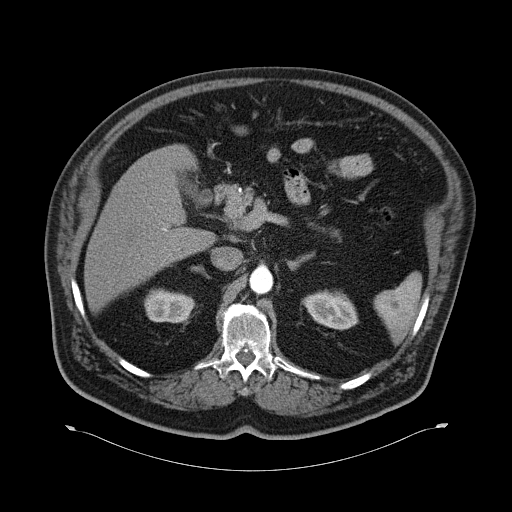
Arterial-phase contrast-enhanced abdominal CT, axial slice 42 of 70 (counted from the lowest slice); tube voltage 120 kVp, convolution kernel B30f; slices 5.00 mm thick, 0.977 mm per pixel.
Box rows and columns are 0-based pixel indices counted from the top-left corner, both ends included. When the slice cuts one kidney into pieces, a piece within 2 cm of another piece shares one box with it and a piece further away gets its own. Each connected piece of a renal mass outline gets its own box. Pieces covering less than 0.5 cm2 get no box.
Boxed on this slice (two kidney boxes), listed by box centre from the image's left to its right: (1) Right kidney, box rows 288–323, columns 144–195 (outlined area 1,394 px, about 13.3 cm2). (2) Box rows 289–326, columns 305–358: left kidney (outlined area 1,541 px, about 14.7 cm2). No renal mass is outlined on this slice.